Abdominal CT with intravenous contrast, axial plane, 120 kVp, kernel I40f. Slice 68/301 from the bottom of the scan; thickness 2.00 mm; pixel size 0.859 mm.
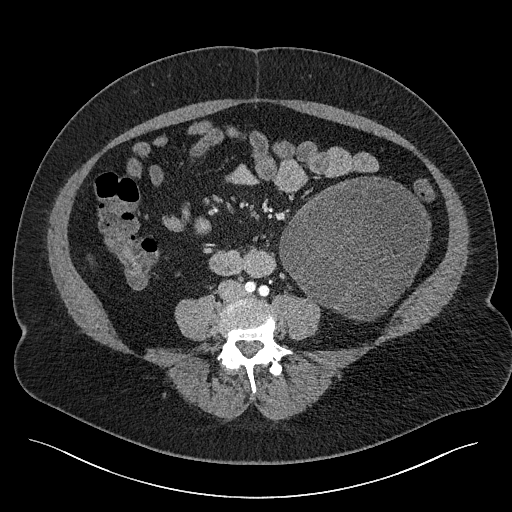
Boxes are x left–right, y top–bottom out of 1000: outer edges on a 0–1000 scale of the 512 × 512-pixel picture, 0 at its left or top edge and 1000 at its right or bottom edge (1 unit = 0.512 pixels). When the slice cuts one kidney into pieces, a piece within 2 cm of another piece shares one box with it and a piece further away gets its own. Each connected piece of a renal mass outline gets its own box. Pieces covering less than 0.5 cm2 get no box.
Left renal mass, box x 545–844, y 344–629 out of 1000 (outlined area 15,894 px, about 117.4 cm2); no kidney is outlined on this slice, but the same outlined renal mass comes within 1 cm of the kidney on another slice.